One axial slice (395 of 738, counting up from the lowest) of an arterial-phase abdominal CT acquired with 120 kVp, kernel I30f; each pixel is 0.789 mm and the slice is 1.00 mm thick.
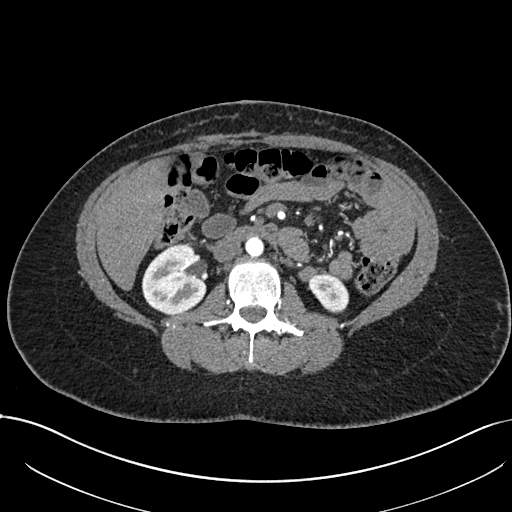
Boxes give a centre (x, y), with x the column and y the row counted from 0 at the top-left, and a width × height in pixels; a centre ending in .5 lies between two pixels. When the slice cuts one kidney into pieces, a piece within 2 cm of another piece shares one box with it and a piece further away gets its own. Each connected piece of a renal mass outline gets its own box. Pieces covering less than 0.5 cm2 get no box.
Boxed on this slice (two kidney boxes), listed by box centre from the image's left to its right: (1) Box centre (174, 279.5), 65 × 72 pixels: right kidney (outlined area 3,515 px, about 21.9 cm2). (2) Left kidney in a box with centre (329, 292.5), 41 × 42 pixels (outlined area 1,199 px, about 7.5 cm2). No renal mass is outlined on this slice.